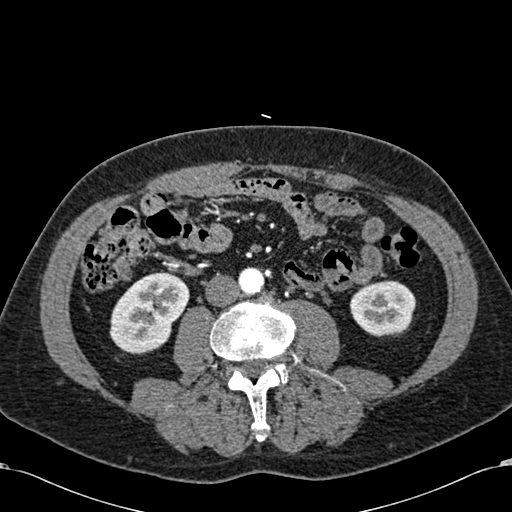
Arterial-phase contrast-enhanced abdominal CT, axial slice 247 of 581 (counted from the lowest slice); tube voltage 120 kVp, convolution kernel B30f; slices 1.00 mm thick, 0.713 mm per pixel.
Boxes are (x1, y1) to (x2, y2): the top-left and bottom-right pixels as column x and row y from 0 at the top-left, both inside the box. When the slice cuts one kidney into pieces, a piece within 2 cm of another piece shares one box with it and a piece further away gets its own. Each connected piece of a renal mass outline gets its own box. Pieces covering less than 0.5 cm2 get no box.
Boxed on this slice (two kidney boxes), listed by box centre from the image's left to its right: (1) Right kidney, box (109, 271) to (189, 354) (outlined area 4,655 px, about 23.7 cm2). (2) Left kidney, box (350, 280) to (415, 335) (outlined area 2,933 px, about 14.9 cm2). No renal mass outline on this slice.